Contrast-enhanced abdominal CT, axial slice 68 of 90 (counted from the lowest slice); tube voltage 120 kVp, convolution kernel B41f; slices 5.00 mm thick, 0.781 mm per pixel.
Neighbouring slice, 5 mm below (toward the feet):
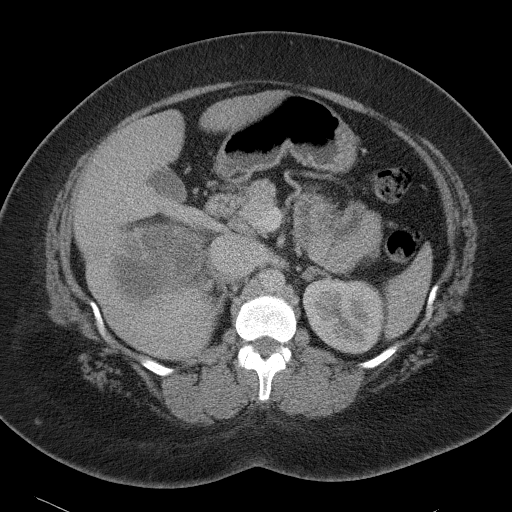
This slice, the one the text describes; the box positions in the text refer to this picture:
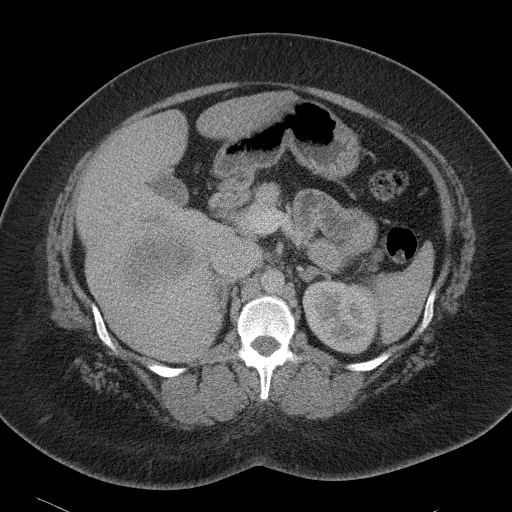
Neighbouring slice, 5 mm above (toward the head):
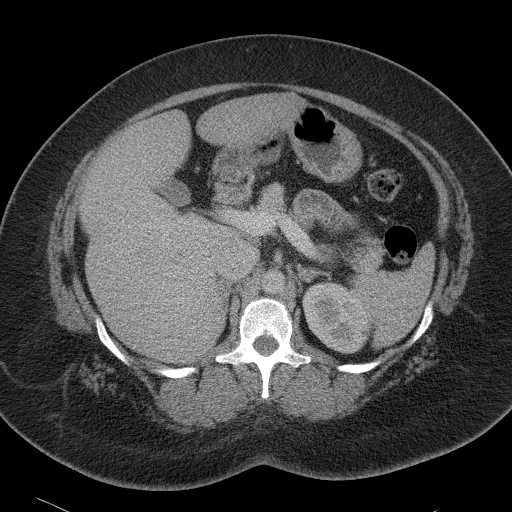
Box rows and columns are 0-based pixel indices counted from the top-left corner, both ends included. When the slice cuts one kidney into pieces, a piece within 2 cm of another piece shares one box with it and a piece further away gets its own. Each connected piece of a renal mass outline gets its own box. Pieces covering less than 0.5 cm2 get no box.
One kidney box and one renal mass box on this slice; by box centre, from the image's left to its right: (1) Box rows 239–285, columns 127–193: right renal mass (outlined area 2,448 px, about 14.9 cm2); it sits over 1 cm from every kidney outline on this slice, but the same outlined renal mass comes within 1 cm of the kidney on another slice. (2) Left kidney at rows 279–354, columns 302–379 (outlined area 4,653 px, about 28.4 cm2). This slice is near the end of the right renal mass toward the head, so the slices 5 mm below and 5 mm above it are shown as well; the boxes refer to this slice only.